Contrast-enhanced abdominal CT, axial slice 323 of 439 (counted from the lowest slice); tube voltage 100 kVp, convolution kernel I40f; slices 2.00 mm thick, 0.850 mm per pixel.
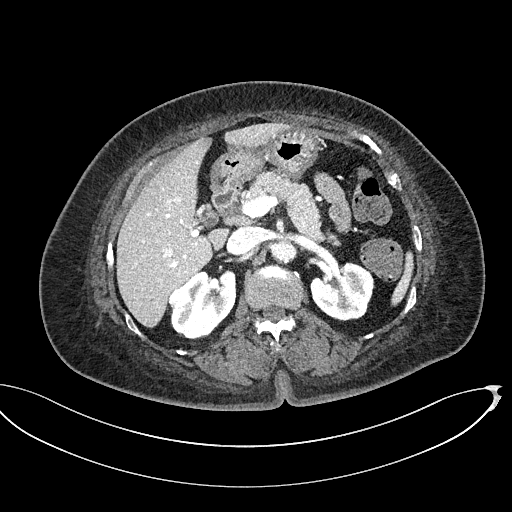
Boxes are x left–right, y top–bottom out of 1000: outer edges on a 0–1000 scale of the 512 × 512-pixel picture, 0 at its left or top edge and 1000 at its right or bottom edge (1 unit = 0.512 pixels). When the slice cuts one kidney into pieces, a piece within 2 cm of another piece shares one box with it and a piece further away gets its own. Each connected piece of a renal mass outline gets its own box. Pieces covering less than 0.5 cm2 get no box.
Three boxes on this slice (two kidney boxes and one renal mass box), listed by box centre from the image's left to its right. (1) Right renal mass at x 330–375, y 555–604 out of 1000 (outlined area 426 px, about 3.1 cm2). (2) Box x 334–463, y 527–664 out of 1000: right kidney (outlined area 3,062 px, about 22.1 cm2). (3) Left kidney at x 605–732, y 510–629 out of 1000 (outlined area 2,840 px, about 20.5 cm2).